Axial slice 26 of 76 of a contrast-enhanced abdominal CT (slice 1 is the lowest), 100 kVp, kernel I40f; 3.00 mm slice thickness and 0.768 mm pixels.
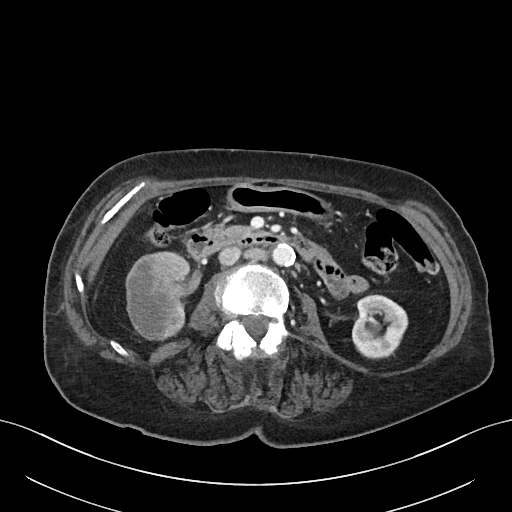
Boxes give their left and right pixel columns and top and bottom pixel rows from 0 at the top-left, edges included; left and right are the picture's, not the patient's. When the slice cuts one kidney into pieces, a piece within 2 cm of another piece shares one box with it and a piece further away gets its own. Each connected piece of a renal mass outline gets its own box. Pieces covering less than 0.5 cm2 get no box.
Three boxes on this slice (two kidney boxes and one renal mass box), listed by box centre from the image's left to its right. (1) Right renal mass, the box with left 125, top 253, right 180, bottom 340 (outlined area 3,899 px, about 23.0 cm2). (2) Right kidney in the box with left 154, top 251, right 191, bottom 335 (outlined area 922 px, about 5.4 cm2). (3) Box with left 352, top 294, right 408, bottom 359: left kidney (outlined area 2,817 px, about 16.6 cm2).